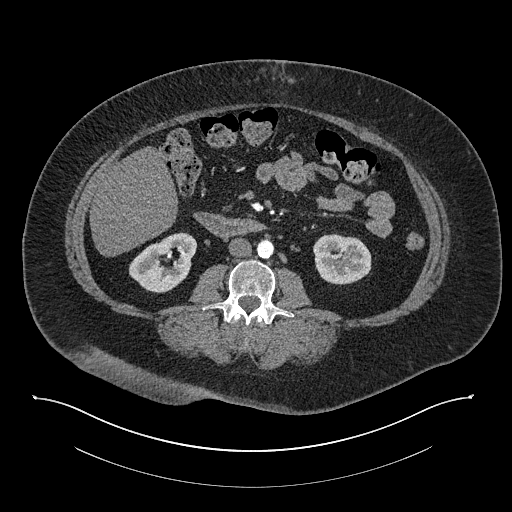
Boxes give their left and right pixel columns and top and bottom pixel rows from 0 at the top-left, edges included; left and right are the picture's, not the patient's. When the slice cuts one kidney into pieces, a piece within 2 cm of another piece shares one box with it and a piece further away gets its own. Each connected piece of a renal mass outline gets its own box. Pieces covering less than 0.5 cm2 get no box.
Slice 398/673 of a contrast-enhanced abdominal CT in the arterial phase, counting up from the lowest; pixel size 0.957 mm, slice thickness 1.00 mm. Two boxes on this slice (two kidney boxes), listed by box centre from the image's left to its right. (1) Right kidney, the box with left 129, top 232, right 197, bottom 293 (outlined area 2,734 px, about 25.0 cm2). (2) Left kidney, the box with left 313, top 234, right 371, bottom 284 (outlined area 2,411 px, about 22.1 cm2). No renal mass is outlined on this slice.
Tube voltage 140 kVp; convolution kernel I30f.